Arterial-phase contrast-enhanced abdominal CT, axial slice 472 of 735 (counted from the lowest slice); tube voltage 120 kVp, convolution kernel I30f; slices 1.00 mm thick, 0.789 mm per pixel.
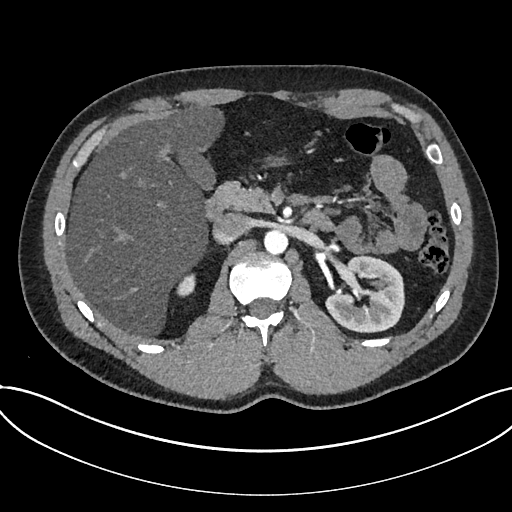
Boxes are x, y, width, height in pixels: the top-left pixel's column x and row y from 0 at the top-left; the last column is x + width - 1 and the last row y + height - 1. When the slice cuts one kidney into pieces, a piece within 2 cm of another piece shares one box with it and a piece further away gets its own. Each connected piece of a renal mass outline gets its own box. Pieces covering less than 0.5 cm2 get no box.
Boxed on this slice (two kidney boxes), listed by box centre from the image's left to its right: (1) Box x 176, y 273, width 20, height 25: kidney (outlined area 348 px, about 2.2 cm2). (2) Box x 325, y 254, width 80, height 80: kidney (outlined area 4,549 px, about 28.3 cm2). No renal mass is outlined on this slice.